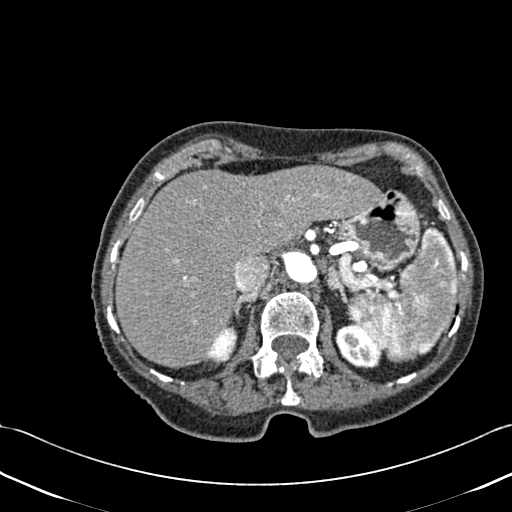
One axial slice (332 of 433, counting up from the lowest) of a contrast-enhanced abdominal CT acquired with 120 kVp, kernel B30f; each pixel is 0.672 mm and the slice is 1.00 mm thick.
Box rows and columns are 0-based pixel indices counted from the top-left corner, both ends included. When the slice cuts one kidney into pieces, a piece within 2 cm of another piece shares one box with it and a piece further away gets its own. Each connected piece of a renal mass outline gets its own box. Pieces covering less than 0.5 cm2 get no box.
Two boxes on this slice (two kidney boxes), listed by box centre from the image's left to its right. (1) Box rows 321–365, columns 208–237: right kidney (outlined area 792 px, about 3.6 cm2). (2) Box rows 323–368, columns 335–383: left kidney (outlined area 1,509 px, about 6.8 cm2). No renal mass is outlined on this slice.